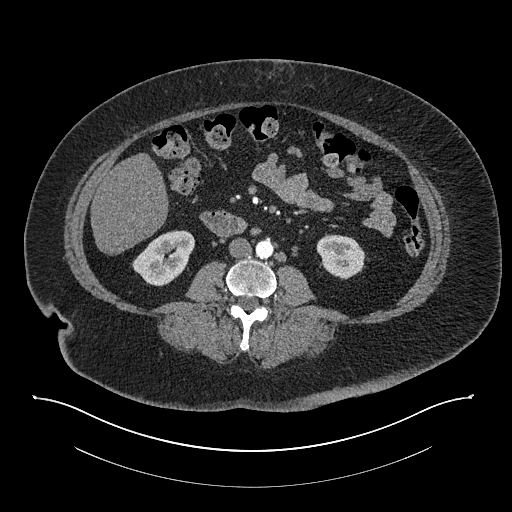
Abdominal CT with intravenous contrast, arterial phase, axial plane, 140 kVp, kernel I30f. Slice 376/673 from the bottom of the scan; thickness 1.00 mm; pixel size 0.957 mm.
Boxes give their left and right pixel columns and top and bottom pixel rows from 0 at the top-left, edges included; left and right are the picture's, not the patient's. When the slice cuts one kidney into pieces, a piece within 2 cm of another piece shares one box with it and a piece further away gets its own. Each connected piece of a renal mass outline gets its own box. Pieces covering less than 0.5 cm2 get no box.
Boxed on this slice (two kidney boxes), listed by box centre from the image's left to its right: (1) Right kidney, the box with left 132, top 230, right 194, bottom 286 (outlined area 2,368 px, about 21.7 cm2). (2) Left kidney, the box with left 316, top 234, right 365, bottom 279 (outlined area 1,668 px, about 15.3 cm2). This slice carries no renal mass outline.